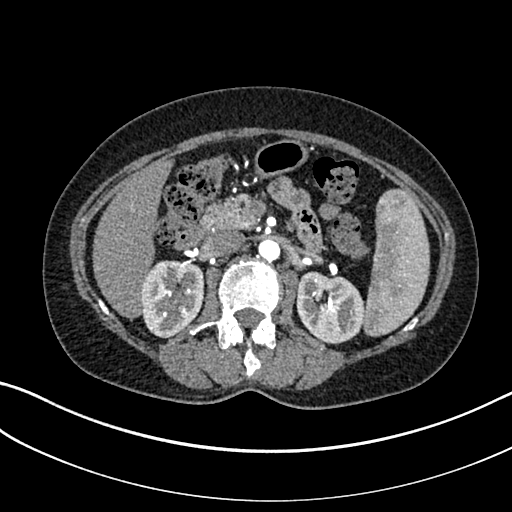
Abdominal CT with intravenous contrast, arterial phase, axial plane, 100 kVp, kernel I30f. Slice 181/325 from the bottom of the scan; thickness 1.00 mm; pixel size 0.703 mm.
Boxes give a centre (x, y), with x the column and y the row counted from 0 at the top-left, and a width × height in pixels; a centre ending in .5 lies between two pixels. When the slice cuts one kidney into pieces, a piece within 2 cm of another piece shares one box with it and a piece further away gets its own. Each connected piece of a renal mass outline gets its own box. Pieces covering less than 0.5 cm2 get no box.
Two boxes on this slice (two kidney boxes), listed by box centre from the image's left to its right. (1) Right kidney, box centre (172, 299), 65 × 79 pixels (outlined area 4,014 px, about 19.8 cm2). (2) Left kidney, box centre (330, 307.5), 69 × 74 pixels (outlined area 3,880 px, about 19.2 cm2). No renal mass is outlined on this slice.